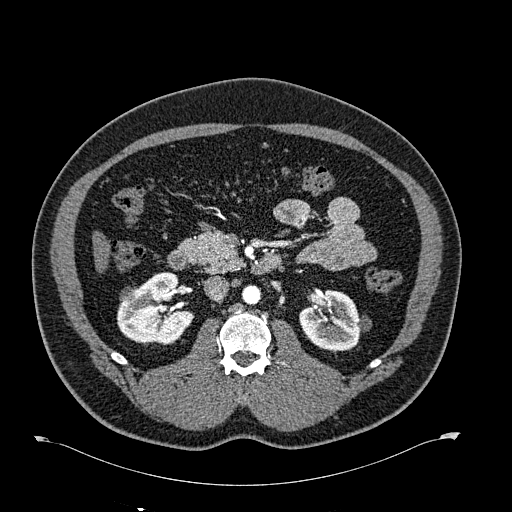
One axial slice (363 of 723, counting up from the lowest) of an arterial-phase abdominal CT acquired with 120 kVp, kernel B30f; each pixel is 0.895 mm and the slice is 1.00 mm thick.
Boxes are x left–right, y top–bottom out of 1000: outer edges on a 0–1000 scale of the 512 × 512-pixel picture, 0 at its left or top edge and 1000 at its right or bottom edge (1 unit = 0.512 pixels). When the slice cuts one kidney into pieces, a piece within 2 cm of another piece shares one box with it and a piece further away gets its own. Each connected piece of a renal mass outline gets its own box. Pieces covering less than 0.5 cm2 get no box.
Two kidney boxes and one renal mass box on this slice; by box centre, from the image's left to its right: (1) Right renal mass, box x 234–264, y 559–590 out of 1000 (outlined area 171 px, about 1.4 cm2). (2) Right kidney, box x 229–381, y 531–674 out of 1000 (outlined area 3,900 px, about 31.2 cm2). (3) Left kidney at x 584–727, y 564–691 out of 1000 (outlined area 3,125 px, about 25.0 cm2).